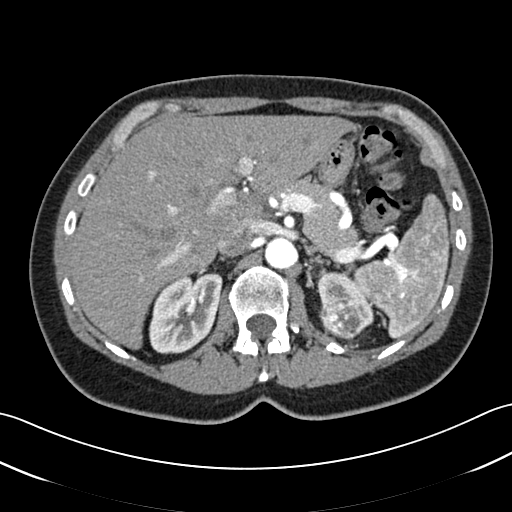
Abdominal CT with intravenous contrast, arterial phase, axial plane, 120 kVp, kernel B30f. Slice 36/52 from the bottom of the scan; thickness 3.00 mm; pixel size 0.678 mm.
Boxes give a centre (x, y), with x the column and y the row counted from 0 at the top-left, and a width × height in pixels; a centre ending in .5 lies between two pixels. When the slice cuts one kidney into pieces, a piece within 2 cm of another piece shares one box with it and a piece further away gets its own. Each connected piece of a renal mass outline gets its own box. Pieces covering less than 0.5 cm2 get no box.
Boxed on this slice (two kidney boxes and one renal mass box), listed by box centre from the image's left to its right: (1) Right kidney, box centre (185.5, 313), 74 × 83 pixels (outlined area 4,459 px, about 20.5 cm2). (2) Box centre (341.5, 318), 46 × 45 pixels: left renal mass (outlined area 1,532 px, about 7.0 cm2). (3) Left kidney, box centre (344.5, 299), 58 × 57 pixels (outlined area 1,339 px, about 6.2 cm2).